Arterial-phase contrast-enhanced abdominal CT, axial slice 263 of 527 (counted from the lowest slice); tube voltage 120 kVp, convolution kernel I30f; slices 1.00 mm thick, 0.859 mm per pixel.
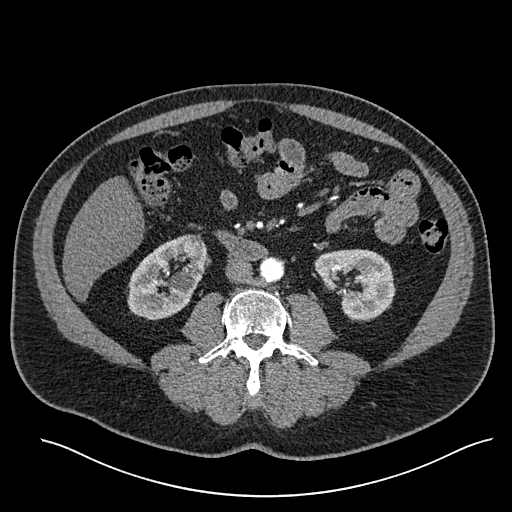
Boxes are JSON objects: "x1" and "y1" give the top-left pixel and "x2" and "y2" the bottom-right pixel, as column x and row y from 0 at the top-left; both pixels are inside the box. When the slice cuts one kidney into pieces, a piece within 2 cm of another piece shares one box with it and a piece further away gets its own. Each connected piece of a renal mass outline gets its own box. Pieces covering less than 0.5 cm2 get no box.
Two kidney boxes on this slice; by box centre, from the image's left to its right: (1) Right kidney, box {"x1": 127, "y1": 234, "x2": 206, "y2": 319} (outlined area 4,613 px, about 34.1 cm2). (2) Left kidney, box {"x1": 314, "y1": 249, "x2": 395, "y2": 321} (outlined area 4,108 px, about 30.3 cm2). This slice carries no renal mass outline.